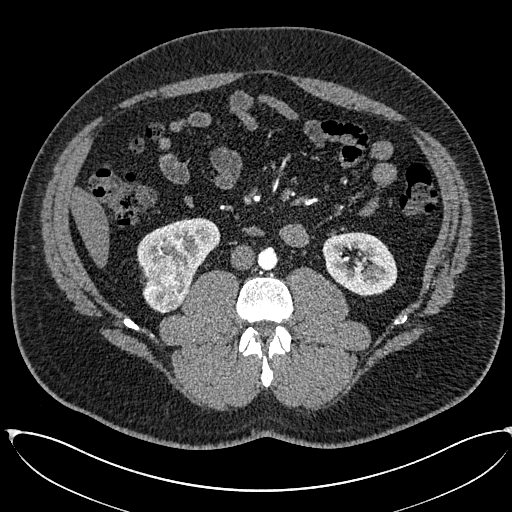
Axial slice 281 of 673 of a contrast-enhanced abdominal CT in the arterial phase (slice 1 is the lowest), 120 kVp, kernel I30f; 1.00 mm slice thickness and 0.855 mm pixels.
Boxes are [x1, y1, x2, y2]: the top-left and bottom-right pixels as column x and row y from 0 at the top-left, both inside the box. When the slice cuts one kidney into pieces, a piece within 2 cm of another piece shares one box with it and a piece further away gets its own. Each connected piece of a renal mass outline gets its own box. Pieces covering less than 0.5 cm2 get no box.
Two kidney boxes and one renal mass box on this slice; by box centre, from the image's left to its right: (1) Right renal mass at [142, 259, 192, 312] (outlined area 2,012 px, about 14.7 cm2). (2) Right kidney at [137, 218, 220, 279] (outlined area 3,170 px, about 23.2 cm2). (3) Left kidney at [322, 232, 396, 296] (outlined area 3,592 px, about 26.3 cm2).